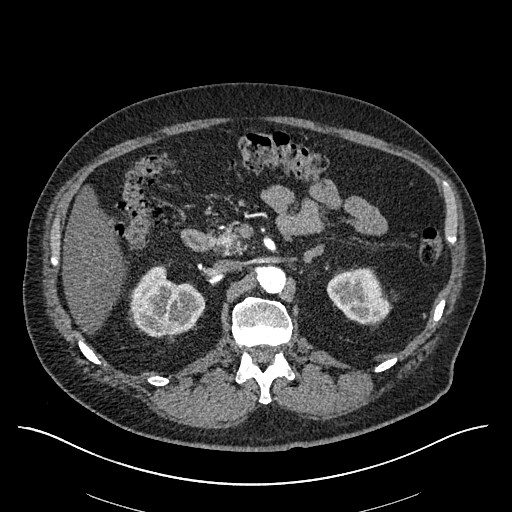
Axial slice 374 of 670 of a contrast-enhanced abdominal CT in the arterial phase (slice 1 is the lowest), 120 kVp, kernel I30f; 1.00 mm slice thickness and 0.861 mm pixels.
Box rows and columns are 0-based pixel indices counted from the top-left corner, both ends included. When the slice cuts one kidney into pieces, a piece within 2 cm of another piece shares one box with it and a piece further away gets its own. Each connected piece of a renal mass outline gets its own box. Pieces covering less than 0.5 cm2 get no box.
Two kidney boxes on this slice; by box centre, from the image's left to its right: (1) Box rows 265–337, columns 130–205: right kidney (outlined area 3,807 px, about 28.2 cm2). (2) Box rows 267–325, columns 326–392: left kidney (outlined area 2,669 px, about 19.8 cm2). No renal mass outline on this slice.